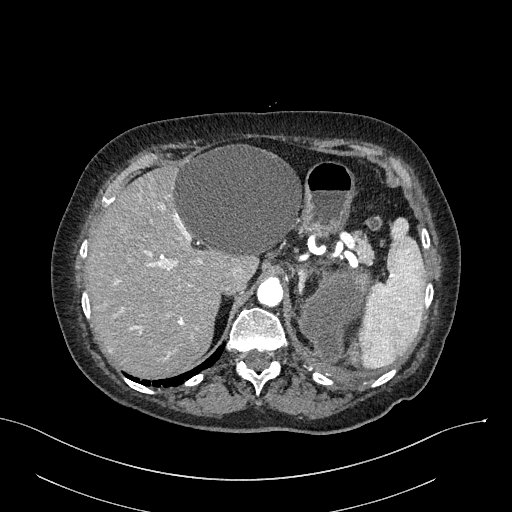
Axial slice 211 of 316 of a contrast-enhanced abdominal CT in the arterial phase (slice 1 is the lowest), 100 kVp, kernel I40f; 2.00 mm slice thickness and 0.840 mm pixels.
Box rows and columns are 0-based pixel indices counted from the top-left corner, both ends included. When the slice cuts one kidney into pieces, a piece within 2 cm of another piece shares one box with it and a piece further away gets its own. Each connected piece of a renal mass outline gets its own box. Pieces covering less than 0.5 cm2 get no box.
Left renal mass at rows 268–364, columns 298–372 (outlined area 4,401 px, about 31.0 cm2); no kidney outline appears on this slice, but the same outlined renal mass comes within 1 cm of the kidney on another slice.